One axial slice (336 of 735, counting up from the lowest) of an arterial-phase abdominal CT acquired with 120 kVp, kernel I30f; each pixel is 0.789 mm and the slice is 1.00 mm thick.
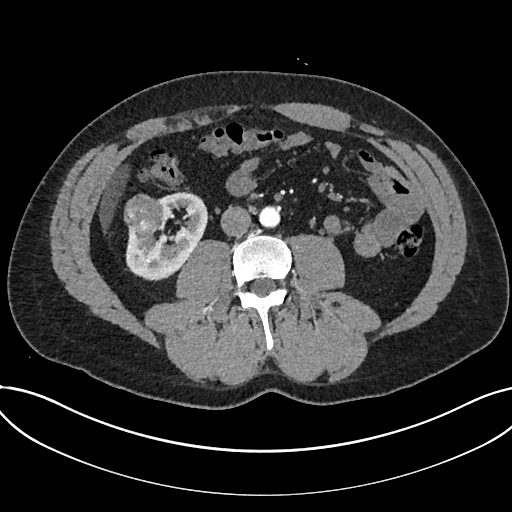
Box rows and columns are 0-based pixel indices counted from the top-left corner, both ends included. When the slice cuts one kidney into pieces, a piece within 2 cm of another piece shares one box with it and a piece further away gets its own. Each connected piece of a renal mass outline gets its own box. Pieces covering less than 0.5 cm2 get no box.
One kidney box and one renal mass box on this slice; by box centre, from the image's left to its right: (1) Renal mass at rows 193–233, columns 124–164 (outlined area 1,308 px, about 8.1 cm2). (2) Box rows 191–281, columns 125–207: kidney (outlined area 4,255 px, about 26.5 cm2).